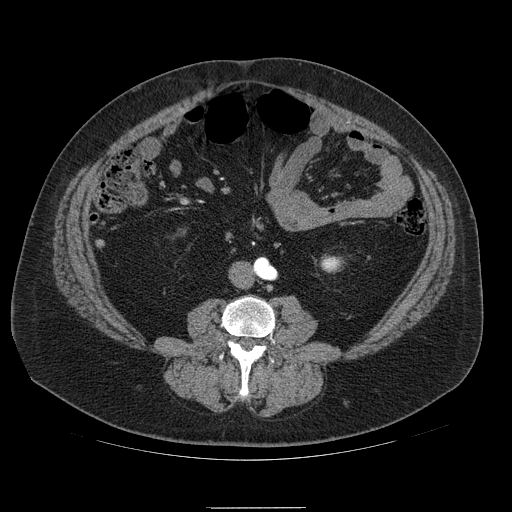
One axial slice (22 of 121, counting up from the lowest) of an arterial-phase abdominal CT acquired with 120 kVp, kernel STANDARD; each pixel is 0.861 mm and the slice is 2.50 mm thick.
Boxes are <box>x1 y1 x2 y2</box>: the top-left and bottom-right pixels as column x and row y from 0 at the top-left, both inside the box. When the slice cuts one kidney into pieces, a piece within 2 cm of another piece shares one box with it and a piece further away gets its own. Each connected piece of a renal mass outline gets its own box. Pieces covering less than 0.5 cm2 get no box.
At <box>323 256 341 271</box>: left kidney (outlined area 241 px, about 1.8 cm2). No renal mass is outlined on this slice.